One axial slice (42 of 94, counting up from the lowest) of an arterial-phase abdominal CT acquired with 100 kVp, kernel I41f; each pixel is 0.551 mm and the slice is 5.00 mm thick.
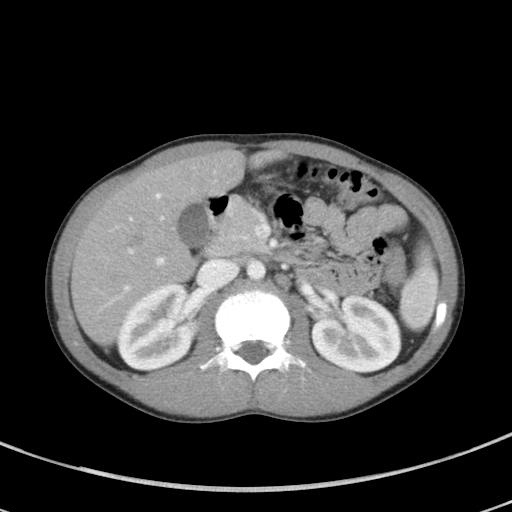
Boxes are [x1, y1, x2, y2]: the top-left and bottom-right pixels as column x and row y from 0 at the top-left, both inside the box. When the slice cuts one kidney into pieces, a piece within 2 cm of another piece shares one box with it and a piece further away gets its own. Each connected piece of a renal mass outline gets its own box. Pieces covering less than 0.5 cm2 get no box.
Boxed on this slice (two kidney boxes), listed by box centre from the image's left to its right: (1) Box [115, 284, 193, 371]: right kidney (outlined area 5,103 px, about 15.5 cm2). (2) Left kidney, box [311, 296, 402, 372] (outlined area 5,327 px, about 16.2 cm2). No renal mass outline on this slice.